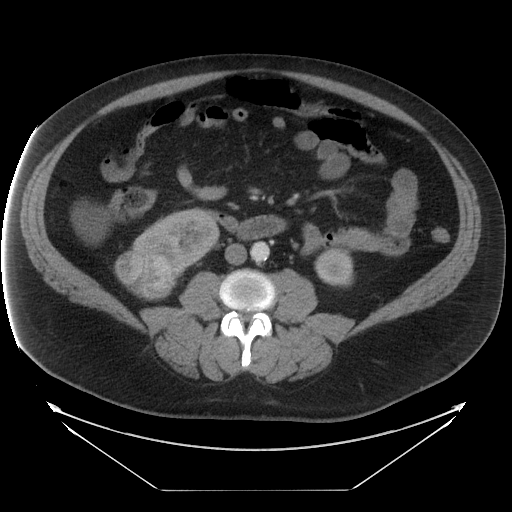
Abdominal CT with intravenous contrast, axial plane, 120 kVp, kernel STANDARD. Slice 7/29 from the bottom of the scan; thickness 5.00 mm; pixel size 0.977 mm.
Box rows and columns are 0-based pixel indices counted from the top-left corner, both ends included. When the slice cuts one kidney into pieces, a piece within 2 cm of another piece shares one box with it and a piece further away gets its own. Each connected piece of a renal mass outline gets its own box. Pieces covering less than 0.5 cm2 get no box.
Two kidney boxes and one renal mass box on this slice; by box centre, from the image's left to its right: (1) Right renal mass, box rows 250–299, columns 114–175 (outlined area 2,379 px, about 22.7 cm2). (2) Box rows 207–284, columns 132–219: right kidney (outlined area 3,417 px, about 32.6 cm2). (3) Box rows 246–286, columns 314–353: left kidney (outlined area 1,299 px, about 12.4 cm2).